Axial slice 72 of 76 of a contrast-enhanced abdominal CT (slice 1 is the lowest), 120 kVp, kernel STANDARD; 2.50 mm slice thickness and 0.586 mm pixels.
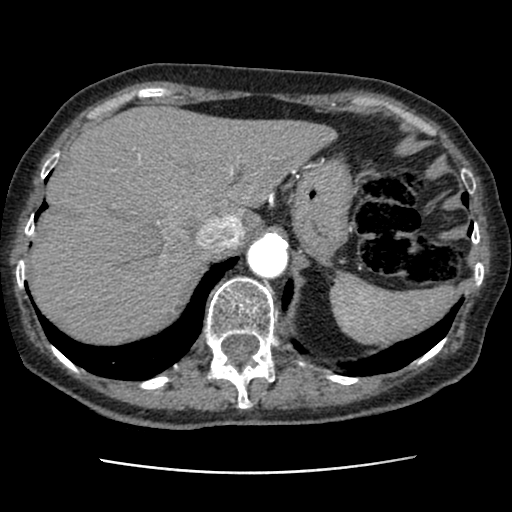
Neither a kidney nor a renal mass is outlined here. Only kidneys and renal masses are outlined anywhere in this scan; other structures are never outlined.